Contrast-enhanced abdominal CT, axial slice 293 of 470 (counted from the lowest slice); tube voltage 100 kVp, convolution kernel I40f; slices 2.00 mm thick, 0.824 mm per pixel.
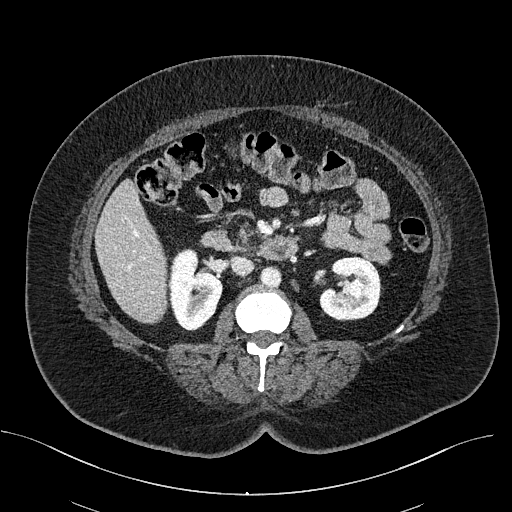
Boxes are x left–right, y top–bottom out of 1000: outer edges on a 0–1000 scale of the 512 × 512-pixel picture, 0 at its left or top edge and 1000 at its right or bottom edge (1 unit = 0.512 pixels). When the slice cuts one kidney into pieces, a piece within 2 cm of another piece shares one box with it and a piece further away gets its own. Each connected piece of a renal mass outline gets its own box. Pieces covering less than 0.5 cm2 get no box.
Two boxes on this slice (two kidney boxes), listed by box centre from the image's left to its right. (1) Right kidney, box x 328–436, y 484–646 out of 1000 (outlined area 3,271 px, about 22.2 cm2). (2) Box x 621–746, y 500–627 out of 1000: left kidney (outlined area 3,033 px, about 20.6 cm2). No renal mass is outlined on this slice.